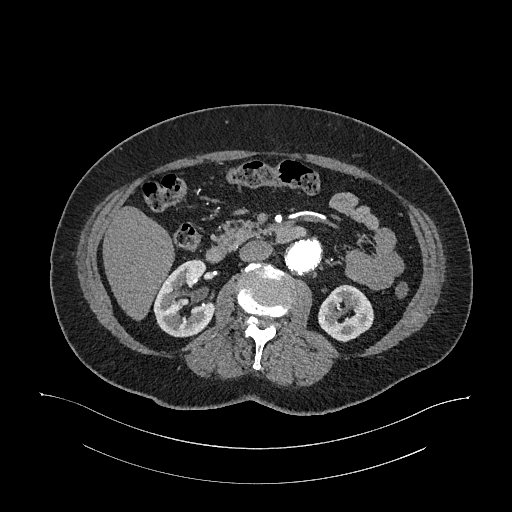
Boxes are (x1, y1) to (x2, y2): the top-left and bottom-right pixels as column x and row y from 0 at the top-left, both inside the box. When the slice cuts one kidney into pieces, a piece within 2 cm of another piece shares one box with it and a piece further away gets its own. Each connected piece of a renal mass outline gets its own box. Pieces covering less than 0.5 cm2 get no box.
Slice 629/987 of a contrast-enhanced abdominal CT in the arterial phase, counting up from the lowest; pixel size 0.977 mm, slice thickness 1.00 mm. Two kidney boxes on this slice; by box centre, from the image's left to its right: (1) Right kidney, box (153, 259) to (216, 337) (outlined area 3,404 px, about 32.5 cm2). (2) Left kidney, box (318, 284) to (374, 342) (outlined area 2,318 px, about 22.1 cm2). No renal mass outline on this slice.
Scan settings: 120 kVp, I26f reconstruction kernel.